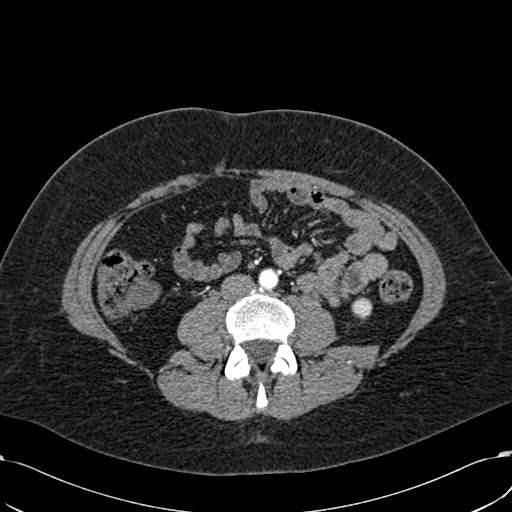
One axial slice (246 of 532, counting up from the lowest) of an arterial-phase abdominal CT acquired with 120 kVp, kernel B30f; each pixel is 0.713 mm and the slice is 1.00 mm thick.
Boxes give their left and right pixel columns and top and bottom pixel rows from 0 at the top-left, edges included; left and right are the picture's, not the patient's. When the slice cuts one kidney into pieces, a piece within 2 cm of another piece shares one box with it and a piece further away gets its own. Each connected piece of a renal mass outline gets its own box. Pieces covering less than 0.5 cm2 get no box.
Left kidney in the box with left 351, top 297, right 372, bottom 317 (outlined area 360 px, about 1.8 cm2). No renal mass is outlined on this slice.